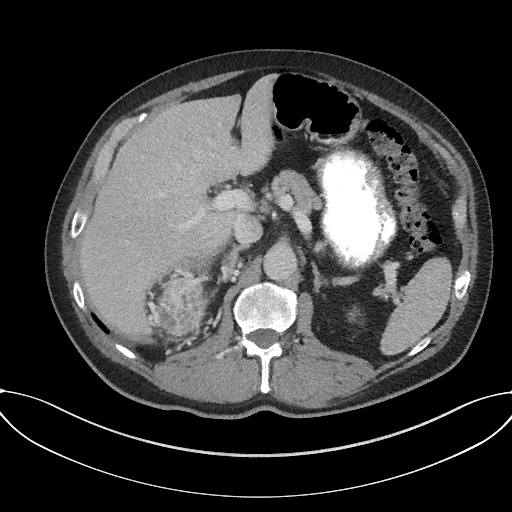
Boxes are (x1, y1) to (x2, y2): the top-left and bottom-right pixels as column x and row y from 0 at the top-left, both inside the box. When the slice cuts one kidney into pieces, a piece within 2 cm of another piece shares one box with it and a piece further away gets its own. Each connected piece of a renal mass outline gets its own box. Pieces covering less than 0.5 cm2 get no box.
Arterial-phase contrast-enhanced abdominal CT, axial slice 109 of 227 (counted from the lowest slice); 3.00 mm thick, 0.816 mm per pixel. Boxed on this slice (one kidney box and one renal mass box), listed by box centre from the image's left to its right: (1) Box (156, 263) to (206, 335): right renal mass (outlined area 2,785 px, about 18.6 cm2); here it is more than 1 cm from any kidney outline, though on another slice the same outlined renal mass lies within 1 cm of the kidney. (2) Box (350, 308) to (362, 320): left kidney (outlined area 105 px, about 0.7 cm2).
Tube voltage 120 kVp; convolution kernel I31f.